Axial slice 297 of 670 of a contrast-enhanced abdominal CT in the arterial phase (slice 1 is the lowest), 120 kVp, kernel I30f; 1.00 mm slice thickness and 0.861 mm pixels.
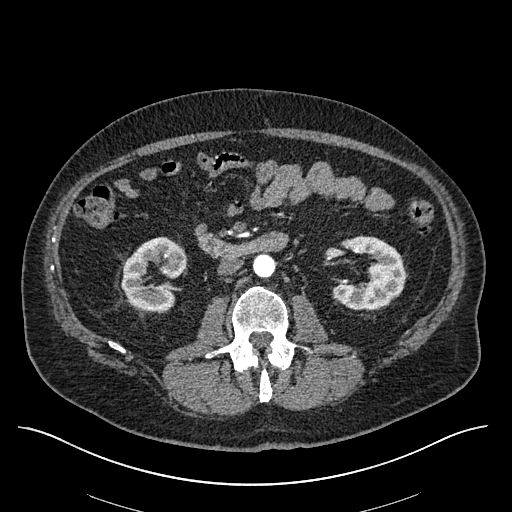
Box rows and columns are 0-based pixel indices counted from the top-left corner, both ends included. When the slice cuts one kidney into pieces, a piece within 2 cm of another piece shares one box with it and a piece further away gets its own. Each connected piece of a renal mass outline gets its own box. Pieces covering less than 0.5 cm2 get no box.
Two kidney boxes and one renal mass box on this slice; by box centre, from the image's left to its right: (1) Right kidney at rows 236–312, columns 121–187 (outlined area 3,154 px, about 23.4 cm2). (2) Right renal mass, box rows 247–265, columns 164–185 (outlined area 338 px, about 2.5 cm2). (3) Left kidney, box rows 235–310, columns 331–404 (outlined area 3,686 px, about 27.3 cm2).